Axial slice 161 of 274 of a contrast-enhanced abdominal CT (slice 1 is the lowest), 120 kVp, kernel B31f; 2.00 mm slice thickness and 0.977 mm pixels.
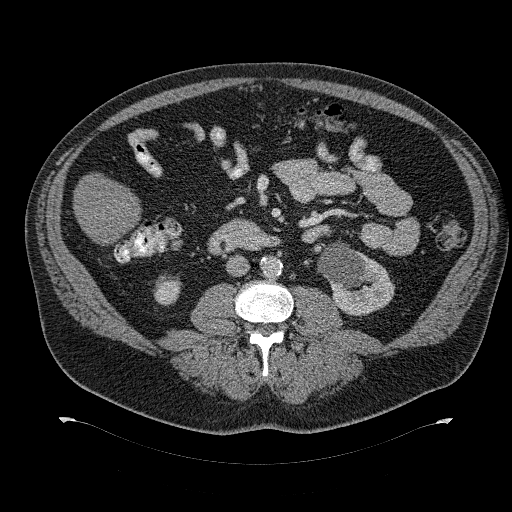
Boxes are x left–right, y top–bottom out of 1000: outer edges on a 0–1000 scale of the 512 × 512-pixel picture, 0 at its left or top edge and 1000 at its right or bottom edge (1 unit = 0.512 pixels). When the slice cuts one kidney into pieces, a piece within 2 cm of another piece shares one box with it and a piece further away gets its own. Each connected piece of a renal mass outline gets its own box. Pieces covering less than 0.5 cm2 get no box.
Two kidney boxes on this slice; by box centre, from the image's left to its right: (1) Right kidney, box x 299–355, y 535–598 out of 1000 (outlined area 695 px, about 6.6 cm2). (2) Box x 619–771, y 475–617 out of 1000: left kidney (outlined area 3,707 px, about 35.4 cm2). No renal mass is outlined on this slice.